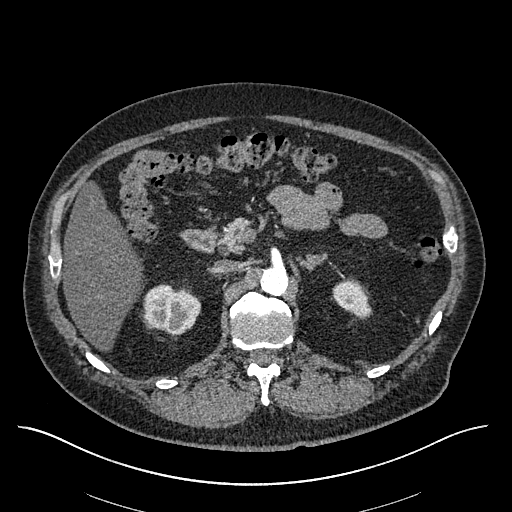
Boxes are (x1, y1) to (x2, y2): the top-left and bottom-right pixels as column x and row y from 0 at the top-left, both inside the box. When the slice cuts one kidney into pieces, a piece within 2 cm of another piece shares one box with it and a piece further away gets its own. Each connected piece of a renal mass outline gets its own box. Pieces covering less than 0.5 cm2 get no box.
Slice 388/670 of a contrast-enhanced abdominal CT in the arterial phase, counting up from the lowest; pixel size 0.861 mm, slice thickness 1.00 mm. Two boxes on this slice (two kidney boxes), listed by box centre from the image's left to its right. (1) Box (142, 284) to (200, 334): right kidney (outlined area 2,196 px, about 16.3 cm2). (2) Left kidney, box (332, 280) to (371, 318) (outlined area 1,037 px, about 7.7 cm2). No renal mass is outlined on this slice.
Tube voltage 120 kVp; convolution kernel I30f.